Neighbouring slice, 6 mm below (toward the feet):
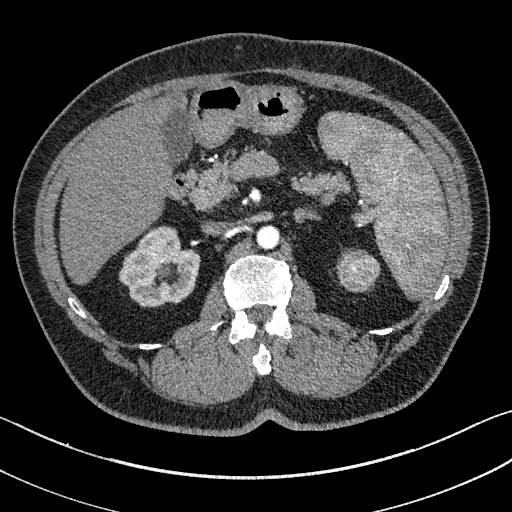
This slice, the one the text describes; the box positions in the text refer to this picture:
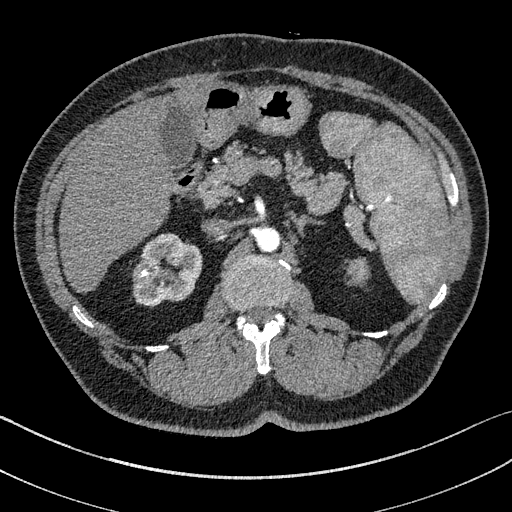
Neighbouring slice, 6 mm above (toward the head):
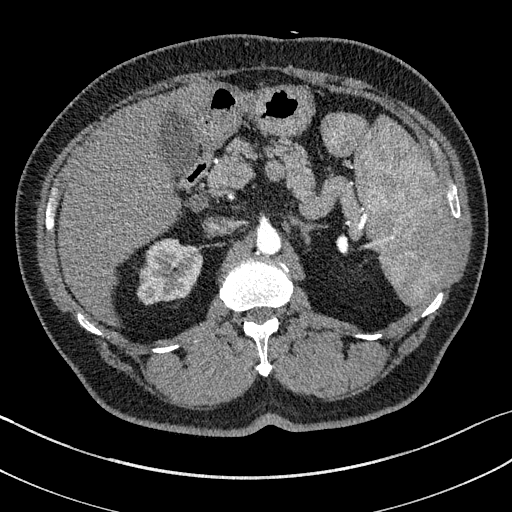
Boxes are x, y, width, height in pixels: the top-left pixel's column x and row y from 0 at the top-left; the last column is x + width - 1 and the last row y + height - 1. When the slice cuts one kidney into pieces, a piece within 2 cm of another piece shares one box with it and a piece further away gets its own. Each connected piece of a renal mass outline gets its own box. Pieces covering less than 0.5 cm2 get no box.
Slice 101/195 of a contrast-enhanced abdominal CT in the arterial phase, counting up from the lowest; pixel size 0.707 mm, slice thickness 1.50 mm. One kidney box and one renal mass box on this slice; by box centre, from the image's left to its right: (1) Right kidney at x 133, y 233, width 69, height 74 (outlined area 3,713 px, about 18.6 cm2). (2) Box x 347, y 258, width 22, height 27: left renal mass (outlined area 474 px, about 2.4 cm2); it sits over 1 cm from every kidney outline on this slice, but the same outlined renal mass comes within 1 cm of the kidney on another slice. This slice lies near the end of the left renal mass toward the head; the slices 6 mm below and 6 mm above it are shown too, and the boxes mark positions on this slice only.
Tube voltage 100 kVp; convolution kernel I31f.